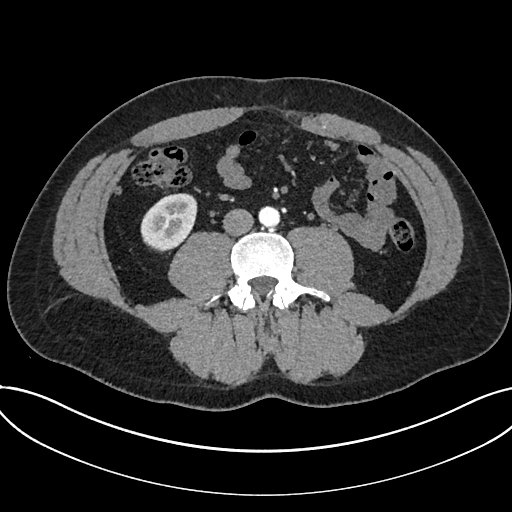
Abdominal CT with intravenous contrast, arterial phase, axial plane, 120 kVp, kernel I30f. Slice 289/735 from the bottom of the scan; thickness 1.00 mm; pixel size 0.789 mm.
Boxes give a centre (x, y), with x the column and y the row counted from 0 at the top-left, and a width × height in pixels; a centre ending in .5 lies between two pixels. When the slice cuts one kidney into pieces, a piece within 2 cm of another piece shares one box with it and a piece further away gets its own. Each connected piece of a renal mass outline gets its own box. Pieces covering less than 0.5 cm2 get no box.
Kidney in a box with centre (168.5, 222), 58 × 59 pixels (outlined area 2,517 px, about 15.7 cm2). This slice carries no renal mass outline.